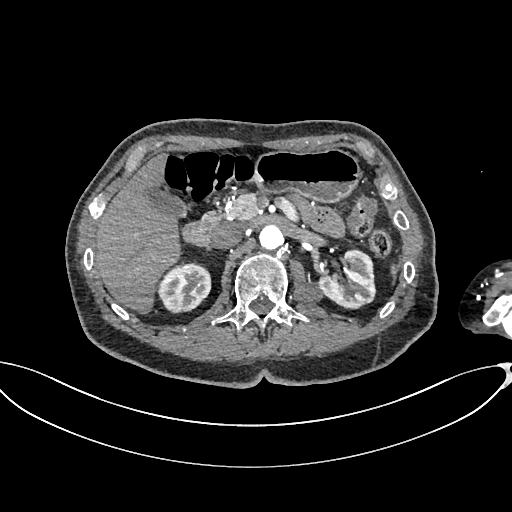
One axial slice (434 of 665, counting up from the lowest) of an arterial-phase abdominal CT acquired with 100 kVp, kernel I26f; each pixel is 0.828 mm and the slice is 1.00 mm thick.
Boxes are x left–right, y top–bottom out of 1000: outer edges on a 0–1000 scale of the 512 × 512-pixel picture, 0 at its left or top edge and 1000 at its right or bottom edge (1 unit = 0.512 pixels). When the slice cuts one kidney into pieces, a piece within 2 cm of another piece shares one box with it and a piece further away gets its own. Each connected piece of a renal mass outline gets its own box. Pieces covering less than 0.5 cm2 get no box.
Boxed on this slice (two kidney boxes and one renal mass box), listed by box centre from the image's left to its right: (1) Right kidney at x 309–414, y 510–613 out of 1000 (outlined area 2,116 px, about 14.5 cm2). (2) Left renal mass, box x 572–633, y 549–596 out of 1000 (outlined area 550 px, about 3.8 cm2). (3) Left kidney, box x 621–736, y 488–604 out of 1000 (outlined area 2,304 px, about 15.8 cm2).